Abdominal CT with intravenous contrast, arterial phase, axial plane, 120 kVp, kernel B30f. Slice 419/538 from the bottom of the scan; thickness 1.00 mm; pixel size 0.811 mm.
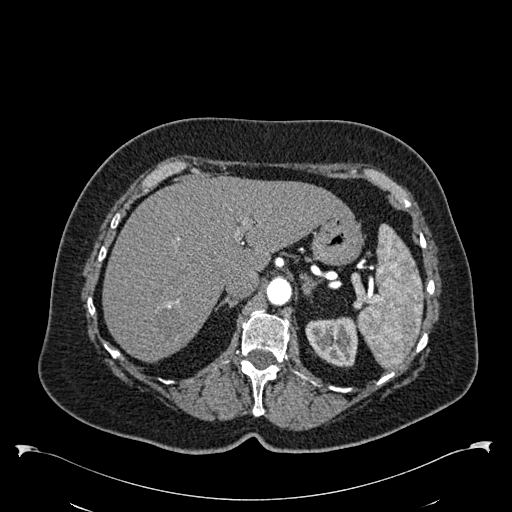
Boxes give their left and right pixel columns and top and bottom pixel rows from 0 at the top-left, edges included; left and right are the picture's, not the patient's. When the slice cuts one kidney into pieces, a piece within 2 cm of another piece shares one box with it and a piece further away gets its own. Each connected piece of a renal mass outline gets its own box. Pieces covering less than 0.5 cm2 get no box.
Left kidney, the box with left 305, top 317, right 357, bottom 367 (outlined area 2,097 px, about 13.8 cm2). No renal mass is outlined on this slice.